Abdominal CT with intravenous contrast, arterial phase, axial plane, 100 kVp, kernel I30f. Slice 145/325 from the bottom of the scan; thickness 1.00 mm; pixel size 0.703 mm.
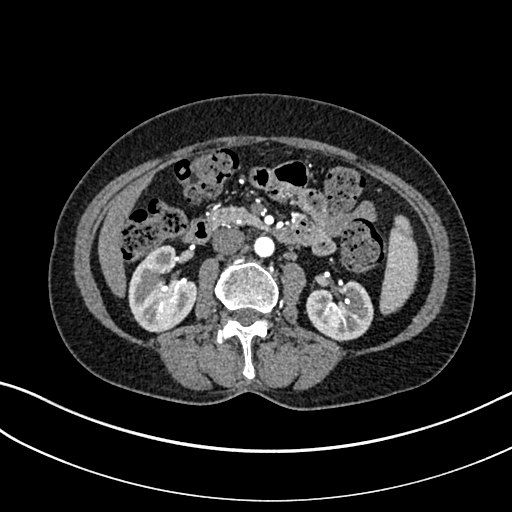
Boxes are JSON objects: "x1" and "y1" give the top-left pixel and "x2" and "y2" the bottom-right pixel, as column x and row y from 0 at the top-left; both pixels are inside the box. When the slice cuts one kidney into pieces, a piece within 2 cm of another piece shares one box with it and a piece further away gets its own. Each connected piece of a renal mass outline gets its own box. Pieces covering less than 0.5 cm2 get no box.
Two kidney boxes on this slice; by box centre, from the image's left to its right: (1) Right kidney, box {"x1": 128, "y1": 245, "x2": 198, "y2": 333} (outlined area 4,253 px, about 21.0 cm2). (2) Box {"x1": 305, "y1": 280, "x2": 373, "y2": 341}: left kidney (outlined area 3,167 px, about 15.7 cm2). This slice carries no renal mass outline.